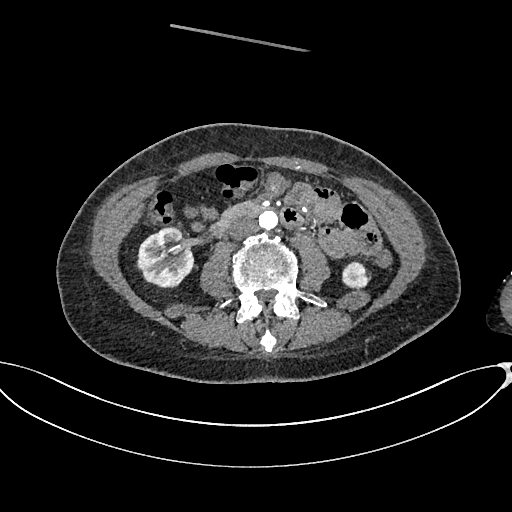
Axial slice 316 of 665 of a contrast-enhanced abdominal CT in the arterial phase (slice 1 is the lowest), 100 kVp, kernel I26f; 1.00 mm slice thickness and 0.828 mm pixels.
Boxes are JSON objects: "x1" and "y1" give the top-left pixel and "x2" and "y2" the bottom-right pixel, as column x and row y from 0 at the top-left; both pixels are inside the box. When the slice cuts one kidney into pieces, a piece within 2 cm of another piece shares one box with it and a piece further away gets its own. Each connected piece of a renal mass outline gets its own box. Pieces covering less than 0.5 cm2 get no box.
Two kidney boxes on this slice; by box centre, from the image's left to its right: (1) Right kidney at {"x1": 135, "y1": 227, "x2": 193, "y2": 288} (outlined area 2,666 px, about 18.3 cm2). (2) Left kidney, box {"x1": 342, "y1": 261, "x2": 371, "y2": 288} (outlined area 631 px, about 4.3 cm2). This slice carries no renal mass outline.